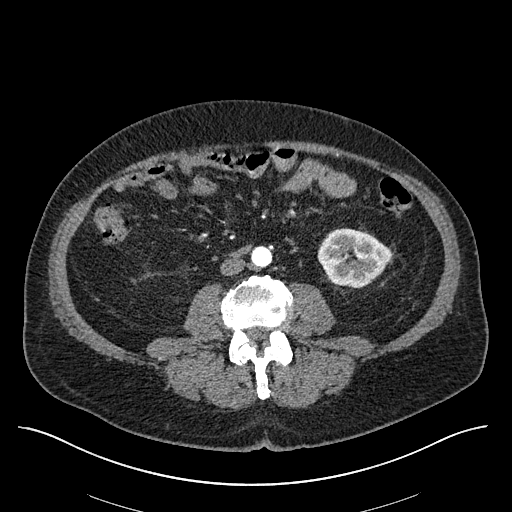
Axial slice 240 of 670 of a contrast-enhanced abdominal CT in the arterial phase (slice 1 is the lowest), 120 kVp, kernel I30f; 1.00 mm slice thickness and 0.861 mm pixels.
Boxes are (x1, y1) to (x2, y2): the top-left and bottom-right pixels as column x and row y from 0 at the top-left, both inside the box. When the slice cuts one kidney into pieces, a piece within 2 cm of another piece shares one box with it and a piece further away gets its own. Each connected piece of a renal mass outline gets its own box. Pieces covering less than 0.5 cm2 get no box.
Left kidney from (317, 228) to (391, 287) (outlined area 3,339 px, about 24.8 cm2). This slice carries no renal mass outline.